Contrast-enhanced abdominal CT, axial slice 117 of 163 (counted from the lowest slice); tube voltage 100 kVp, convolution kernel I40f; slices 3.00 mm thick, 0.799 mm per pixel.
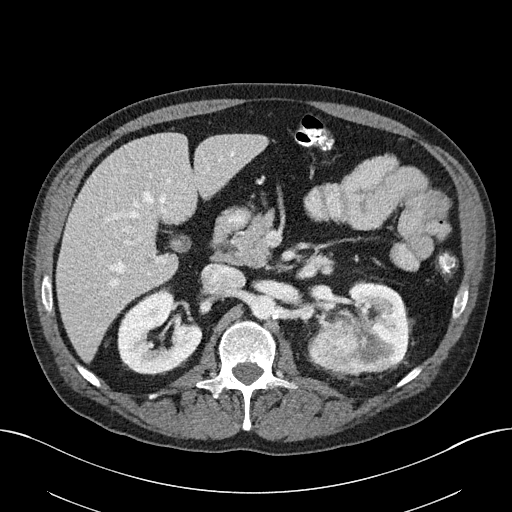
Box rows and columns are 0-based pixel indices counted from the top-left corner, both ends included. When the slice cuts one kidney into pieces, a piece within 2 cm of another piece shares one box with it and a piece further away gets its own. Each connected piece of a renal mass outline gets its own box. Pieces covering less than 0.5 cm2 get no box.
Three boxes on this slice (two kidney boxes and one renal mass box), listed by box centre from the image's left to its right. (1) Box rows 288–374, columns 117–201: right kidney (outlined area 4,783 px, about 30.5 cm2). (2) Left renal mass at rows 321–356, columns 318–357 (outlined area 1,075 px, about 6.9 cm2). (3) Left kidney, box rows 281–376, columns 308–411 (outlined area 6,048 px, about 38.6 cm2).